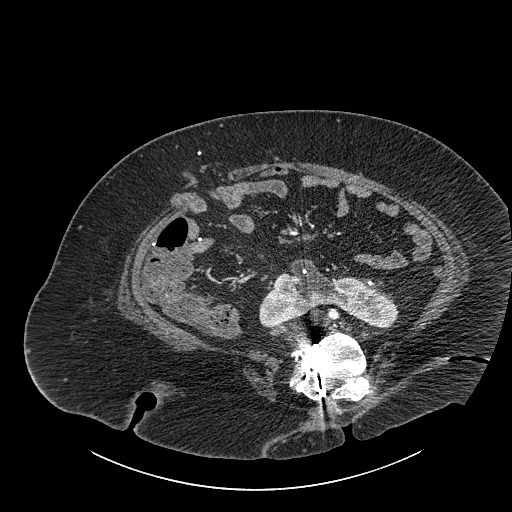
Abdominal CT with intravenous contrast, axial plane, 140 kVp, kernel I30f. Slice 454/834 from the bottom of the scan; thickness 1.00 mm; pixel size 0.977 mm.
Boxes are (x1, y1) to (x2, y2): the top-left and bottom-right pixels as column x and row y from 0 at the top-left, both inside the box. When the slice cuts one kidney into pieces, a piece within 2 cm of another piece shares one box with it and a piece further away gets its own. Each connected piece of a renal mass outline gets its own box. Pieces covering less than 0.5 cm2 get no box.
Kidney crossing the body midline, box (259, 259) to (398, 329) (outlined area 5,463 px, about 52.1 cm2). This slice carries no renal mass outline.